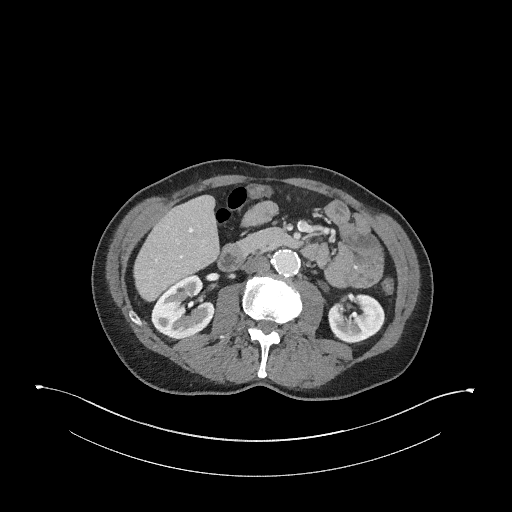
Arterial-phase contrast-enhanced abdominal CT, axial slice 148 of 345 (counted from the lowest slice); tube voltage 120 kVp, convolution kernel I31f; slices 2.00 mm thick, 0.977 mm per pixel.
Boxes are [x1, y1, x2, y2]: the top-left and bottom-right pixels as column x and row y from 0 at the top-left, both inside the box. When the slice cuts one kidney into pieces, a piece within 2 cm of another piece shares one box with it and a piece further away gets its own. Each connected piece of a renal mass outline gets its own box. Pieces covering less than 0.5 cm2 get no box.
Boxed on this slice (two kidney boxes), listed by box centre from the image's left to its right: (1) Right kidney, box [151, 275, 215, 339] (outlined area 2,864 px, about 27.3 cm2). (2) Box [328, 293, 385, 343]: left kidney (outlined area 2,171 px, about 20.7 cm2). No renal mass is outlined on this slice.